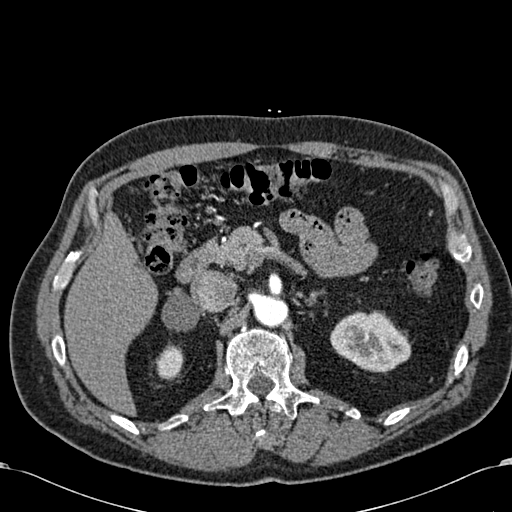
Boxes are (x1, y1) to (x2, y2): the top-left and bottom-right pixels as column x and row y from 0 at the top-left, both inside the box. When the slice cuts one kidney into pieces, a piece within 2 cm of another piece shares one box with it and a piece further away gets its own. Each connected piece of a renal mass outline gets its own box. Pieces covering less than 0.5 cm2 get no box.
Arterial-phase contrast-enhanced abdominal CT, axial slice 415 of 581 (counted from the lowest slice); 1.00 mm thick, 0.713 mm per pixel. Two boxes on this slice (two kidney boxes), listed by box centre from the image's left to its right. (1) Box (155, 346) to (183, 379): right kidney (outlined area 746 px, about 3.8 cm2). (2) Left kidney, box (330, 310) to (411, 373) (outlined area 3,644 px, about 18.5 cm2). This slice carries no renal mass outline.
Tube voltage 120 kVp; convolution kernel B30f.